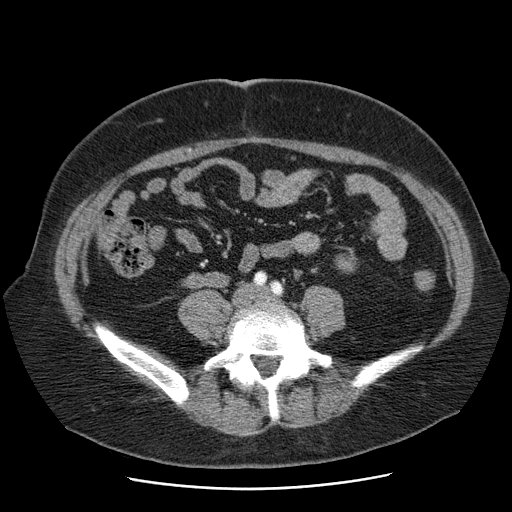
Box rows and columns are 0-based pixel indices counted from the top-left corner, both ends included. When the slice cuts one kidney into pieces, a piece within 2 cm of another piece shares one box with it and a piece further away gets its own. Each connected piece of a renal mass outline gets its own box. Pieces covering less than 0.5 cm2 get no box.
Contrast-enhanced abdominal CT, axial slice 7 of 103 (counted from the lowest slice); 2.50 mm thick, 0.736 mm per pixel. Left kidney at rows 258–273, columns 334–353 (outlined area 237 px, about 1.3 cm2). No renal mass outline on this slice.
Scan settings: 120 kVp, STANDARD reconstruction kernel.